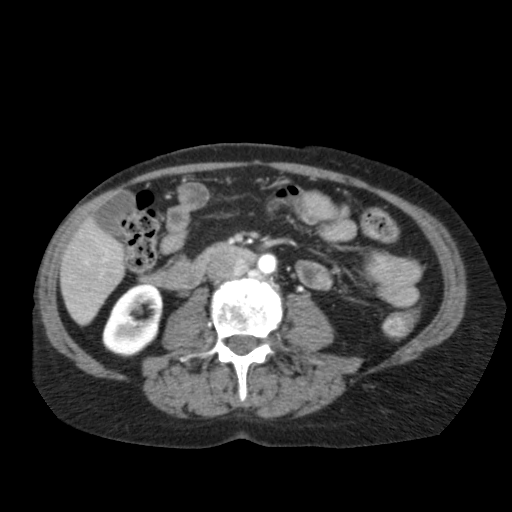
One axial slice (51 of 79, counting up from the lowest) of an arterial-phase abdominal CT acquired with 120 kVp, kernel FC11; each pixel is 0.686 mm and the slice is 5.00 mm thick.
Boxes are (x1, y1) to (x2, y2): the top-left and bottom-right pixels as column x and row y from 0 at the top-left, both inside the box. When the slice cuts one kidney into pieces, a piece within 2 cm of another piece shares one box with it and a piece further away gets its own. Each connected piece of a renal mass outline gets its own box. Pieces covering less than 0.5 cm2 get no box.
Box (102, 283) to (162, 357): right kidney (outlined area 3,270 px, about 15.4 cm2). No renal mass outline on this slice.